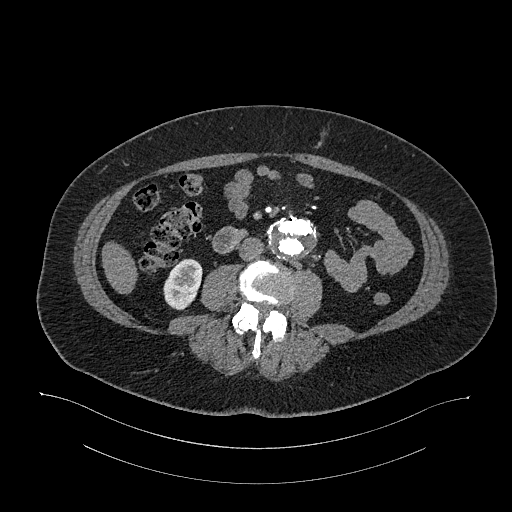
One axial slice (549 of 987, counting up from the lowest) of an arterial-phase abdominal CT acquired with 120 kVp, kernel I26f; each pixel is 0.977 mm and the slice is 1.00 mm thick.
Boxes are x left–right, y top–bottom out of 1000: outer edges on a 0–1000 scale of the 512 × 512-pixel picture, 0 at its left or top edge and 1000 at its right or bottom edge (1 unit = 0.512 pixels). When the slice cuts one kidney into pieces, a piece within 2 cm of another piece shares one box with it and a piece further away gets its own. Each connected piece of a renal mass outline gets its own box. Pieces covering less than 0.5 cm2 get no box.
Box x 318–396, y 504–607 out of 1000: right kidney (outlined area 1,500 px, about 14.3 cm2). This slice carries no renal mass outline.